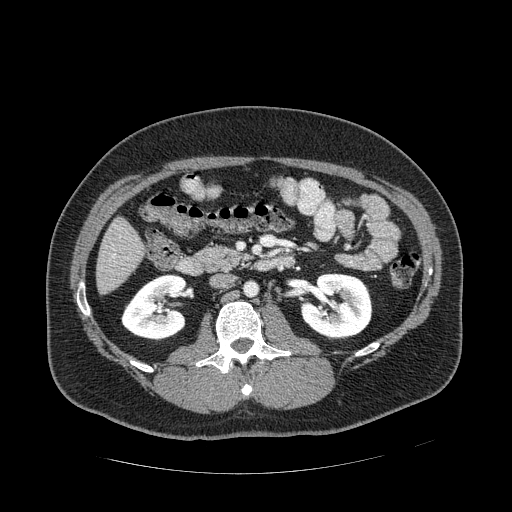
Abdominal CT with intravenous contrast, arterial phase, axial plane, 120 kVp, kernel STANDARD. Slice 251/389 from the bottom of the scan; thickness 1.25 mm; pixel size 0.869 mm.
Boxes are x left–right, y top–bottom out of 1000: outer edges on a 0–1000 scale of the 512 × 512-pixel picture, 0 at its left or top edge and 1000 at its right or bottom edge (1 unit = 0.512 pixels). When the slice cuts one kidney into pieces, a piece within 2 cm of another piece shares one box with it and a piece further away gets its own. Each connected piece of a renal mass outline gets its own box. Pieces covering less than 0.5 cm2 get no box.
Boxed on this slice (two kidney boxes), listed by box centre from the image's left to its right: (1) Right kidney at x 236–367, y 535–666 out of 1000 (outlined area 3,279 px, about 24.8 cm2). (2) Left kidney at x 586–729, y 533–666 out of 1000 (outlined area 3,756 px, about 28.4 cm2). No renal mass outline on this slice.